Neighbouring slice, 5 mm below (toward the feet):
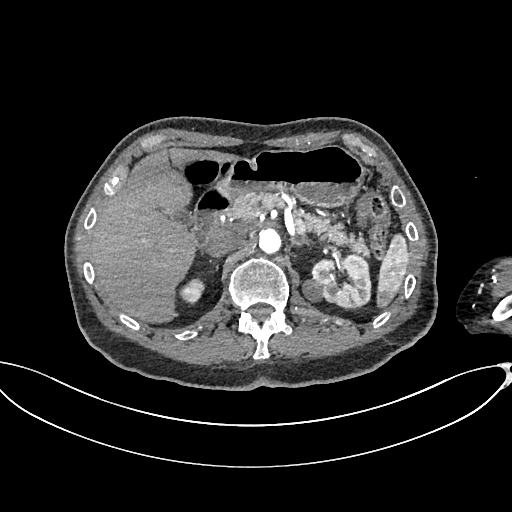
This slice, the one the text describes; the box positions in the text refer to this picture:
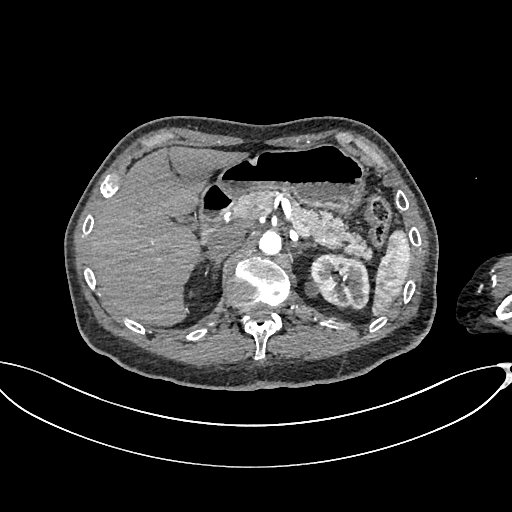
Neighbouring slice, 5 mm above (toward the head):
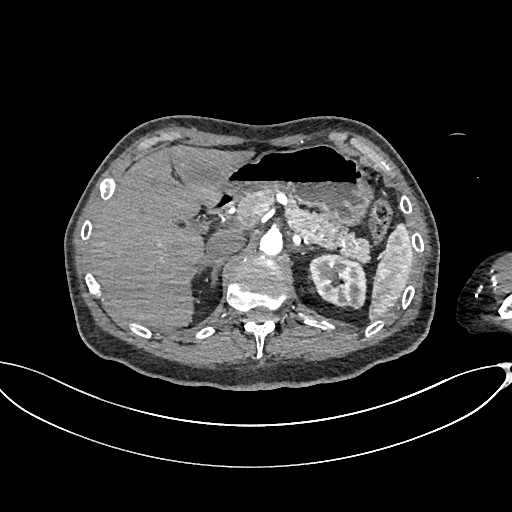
Arterial-phase contrast-enhanced abdominal CT, axial slice 467 of 665 (counted from the lowest slice); tube voltage 100 kVp, convolution kernel I26f; slices 1.00 mm thick, 0.828 mm per pixel.
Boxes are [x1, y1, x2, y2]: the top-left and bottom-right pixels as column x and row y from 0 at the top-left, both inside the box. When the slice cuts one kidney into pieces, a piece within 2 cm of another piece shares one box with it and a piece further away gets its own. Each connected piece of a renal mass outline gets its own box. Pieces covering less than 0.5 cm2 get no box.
Two boxes on this slice (one kidney box and one renal mass box), listed by box centre from the image's left to its right. (1) Left renal mass, box [305, 280, 320, 296] (outlined area 189 px, about 1.3 cm2). (2) Left kidney at [310, 254, 368, 308] (outlined area 2,493 px, about 17.1 cm2). This slice lies near the end of the left renal mass toward the head; the slices 5 mm below and 5 mm above it are shown too, and the boxes mark positions on this slice only.